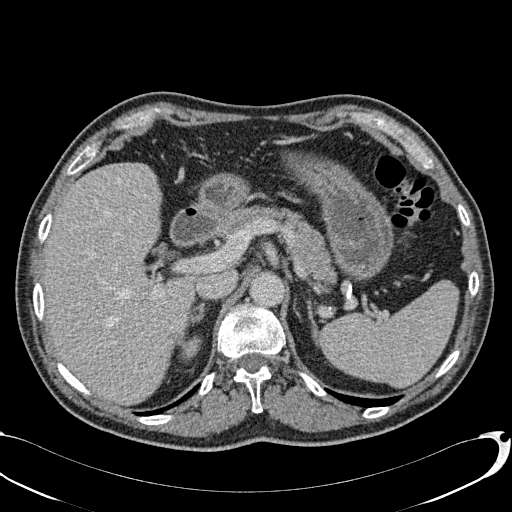
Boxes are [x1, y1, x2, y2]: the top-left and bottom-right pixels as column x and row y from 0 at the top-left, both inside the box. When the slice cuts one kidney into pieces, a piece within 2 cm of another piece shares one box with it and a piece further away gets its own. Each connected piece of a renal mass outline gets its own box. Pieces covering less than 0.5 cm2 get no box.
Slice 70/113 of a contrast-enhanced abdominal CT, counting up from the lowest; pixel size 0.742 mm, slice thickness 2.00 mm. Right kidney, box [181, 336, 199, 358] (outlined area 281 px, about 1.5 cm2). No renal mass is outlined on this slice.
Scan settings: 120 kVp, B31f reconstruction kernel.